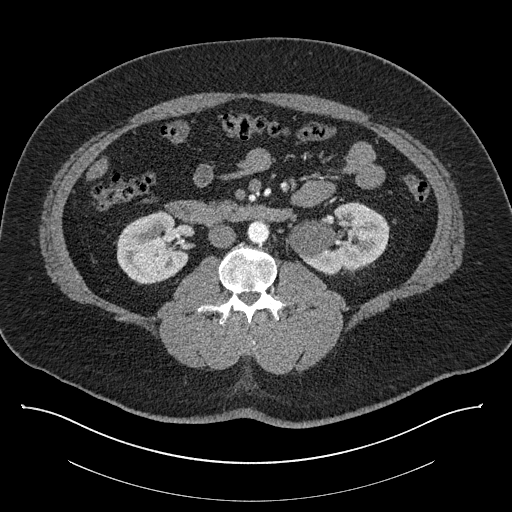
Axial slice 453 of 787 of a contrast-enhanced abdominal CT (slice 1 is the lowest), 140 kVp, kernel I30f; 1.00 mm slice thickness and 0.910 mm pixels.
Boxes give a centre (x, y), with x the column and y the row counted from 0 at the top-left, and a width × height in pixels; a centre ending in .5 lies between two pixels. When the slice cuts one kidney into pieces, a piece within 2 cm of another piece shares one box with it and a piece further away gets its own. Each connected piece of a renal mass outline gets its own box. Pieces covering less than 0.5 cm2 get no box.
Two boxes on this slice (two kidney boxes), listed by box centre from the image's left to its right. (1) Right kidney in a box with centre (152.5, 247), 74 × 75 pixels (outlined area 4,011 px, about 33.2 cm2). (2) Box centre (338, 237), 103 × 73 pixels: left kidney (outlined area 5,112 px, about 42.3 cm2). No renal mass outline on this slice.